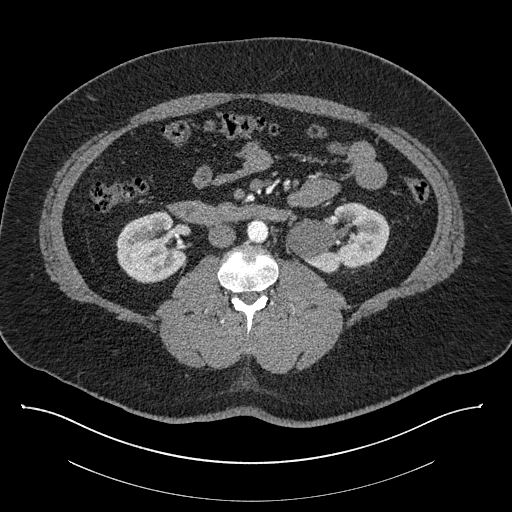
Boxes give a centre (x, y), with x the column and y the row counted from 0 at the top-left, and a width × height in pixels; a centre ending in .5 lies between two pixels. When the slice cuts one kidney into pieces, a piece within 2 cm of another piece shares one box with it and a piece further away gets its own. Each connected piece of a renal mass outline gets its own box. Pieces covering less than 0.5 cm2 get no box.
Contrast-enhanced abdominal CT, axial slice 448 of 787 (counted from the lowest slice); 1.00 mm thick, 0.910 mm per pixel. Two kidney boxes on this slice; by box centre, from the image's left to its right: (1) Box centre (151, 246.5), 71 × 70 pixels: right kidney (outlined area 3,772 px, about 31.2 cm2). (2) Box centre (337.5, 237), 104 × 71 pixels: left kidney (outlined area 4,992 px, about 41.4 cm2). This slice carries no renal mass outline.
Tube voltage 140 kVp; convolution kernel I30f.